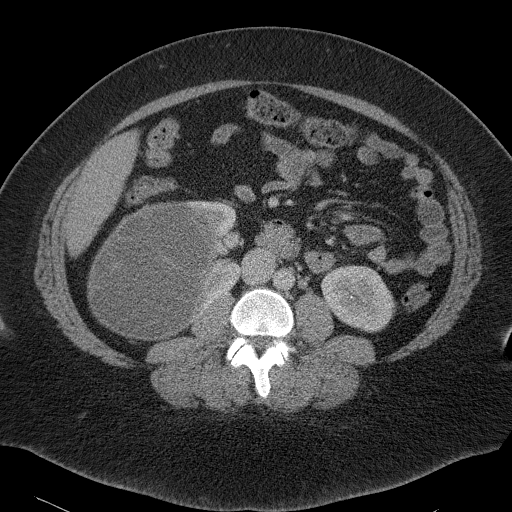
Contrast-enhanced abdominal CT, axial slice 54 of 90 (counted from the lowest slice); tube voltage 120 kVp, convolution kernel B41f; slices 5.00 mm thick, 0.781 mm per pixel.
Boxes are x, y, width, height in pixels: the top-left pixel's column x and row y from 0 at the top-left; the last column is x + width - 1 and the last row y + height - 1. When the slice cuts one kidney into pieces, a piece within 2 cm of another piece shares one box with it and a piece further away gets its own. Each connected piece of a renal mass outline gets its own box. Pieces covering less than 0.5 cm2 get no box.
Two kidney boxes and one renal mass box on this slice; by box centre, from the image's left to its right: (1) Right renal mass, box x 87, y 201, width 128, height 141 (outlined area 13,690 px, about 83.6 cm2). (2) Right kidney, box x 184, y 200, width 58, height 123 (outlined area 2,830 px, about 17.3 cm2). (3) Left kidney, box x 320, y 265, width 76, height 68 (outlined area 3,761 px, about 23.0 cm2).